Arterial-phase contrast-enhanced abdominal CT, axial slice 372 of 548 (counted from the lowest slice); tube voltage 120 kVp, convolution kernel I26f; slices 1.00 mm thick, 0.852 mm per pixel.
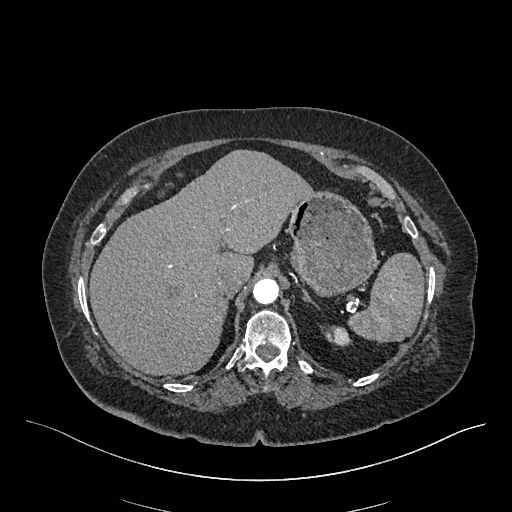
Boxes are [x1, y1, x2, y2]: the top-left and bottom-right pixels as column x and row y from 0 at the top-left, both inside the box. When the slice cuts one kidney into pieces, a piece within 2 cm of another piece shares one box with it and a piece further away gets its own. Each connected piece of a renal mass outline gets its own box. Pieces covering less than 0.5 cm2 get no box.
Box [329, 327, 349, 345]: left kidney (outlined area 320 px, about 2.3 cm2). No renal mass is outlined on this slice.